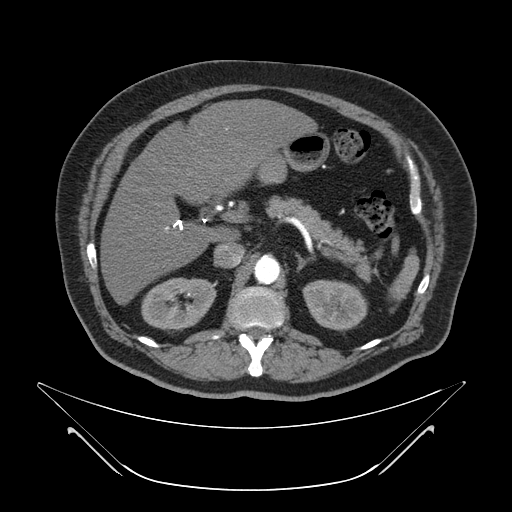
Abdominal CT with intravenous contrast, axial plane, 120 kVp, kernel B. Slice 36/64 from the bottom of the scan; thickness 4.00 mm; pixel size 0.977 mm.
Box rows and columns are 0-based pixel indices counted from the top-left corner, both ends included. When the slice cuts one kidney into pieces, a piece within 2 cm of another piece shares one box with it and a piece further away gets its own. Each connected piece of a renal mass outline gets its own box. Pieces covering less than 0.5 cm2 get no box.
Boxed on this slice (two kidney boxes), listed by box centre from the image's left to its right: (1) Box rows 277–331, columns 141–216: right kidney (outlined area 3,044 px, about 29.0 cm2). (2) Left kidney, box rows 280–331, columns 302–367 (outlined area 2,552 px, about 24.3 cm2). No renal mass outline on this slice.